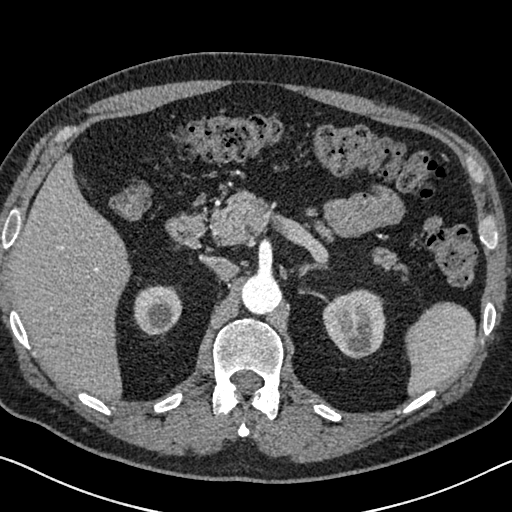
Arterial-phase contrast-enhanced abdominal CT, axial slice 468 of 626 (counted from the lowest slice); tube voltage 120 kVp, convolution kernel I30f; slices 1.00 mm thick, 0.703 mm per pixel.
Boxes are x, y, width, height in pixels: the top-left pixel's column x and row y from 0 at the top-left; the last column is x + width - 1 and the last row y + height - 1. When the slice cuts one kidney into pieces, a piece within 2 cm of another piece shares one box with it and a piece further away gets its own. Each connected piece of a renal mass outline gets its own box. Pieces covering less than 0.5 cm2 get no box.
Two kidney boxes on this slice; by box centre, from the image's left to its right: (1) Box x 133, y 285, width 50, height 53: right kidney (outlined area 1,963 px, about 9.7 cm2). (2) Left kidney, box x 322, y 289, width 64, height 70 (outlined area 3,384 px, about 16.7 cm2). No renal mass outline on this slice.